Arterial-phase contrast-enhanced abdominal CT, axial slice 504 of 673 (counted from the lowest slice); tube voltage 140 kVp, convolution kernel I30f; slices 1.00 mm thick, 0.957 mm per pixel.
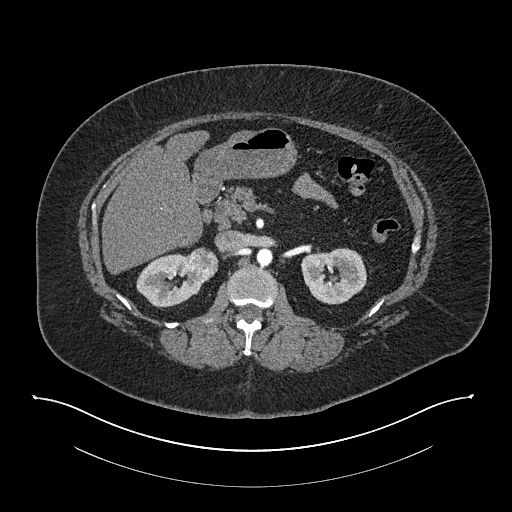
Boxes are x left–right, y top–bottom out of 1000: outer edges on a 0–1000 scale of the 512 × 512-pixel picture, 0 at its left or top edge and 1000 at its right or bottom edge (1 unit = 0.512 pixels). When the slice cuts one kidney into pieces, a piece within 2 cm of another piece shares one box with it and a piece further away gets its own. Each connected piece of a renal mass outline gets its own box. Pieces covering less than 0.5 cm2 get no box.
Boxed on this slice (two kidney boxes and one renal mass box), listed by box centre from the image's left to its right: (1) Right kidney, box x 266–400, y 494–604 out of 1000 (outlined area 2,452 px, about 22.5 cm2). (2) Box x 361–428, y 482–551 out of 1000: right renal mass (outlined area 861 px, about 7.9 cm2). (3) Box x 586–717, y 484–596 out of 1000: left kidney (outlined area 2,883 px, about 26.4 cm2).